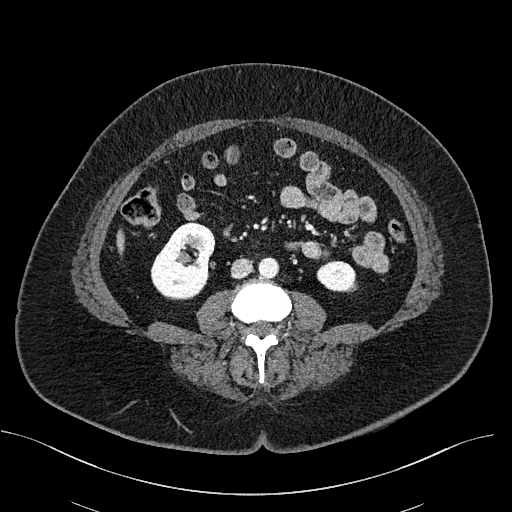
Abdominal CT with intravenous contrast, axial plane, 100 kVp, kernel I40f. Slice 257/470 from the bottom of the scan; thickness 2.00 mm; pixel size 0.824 mm.
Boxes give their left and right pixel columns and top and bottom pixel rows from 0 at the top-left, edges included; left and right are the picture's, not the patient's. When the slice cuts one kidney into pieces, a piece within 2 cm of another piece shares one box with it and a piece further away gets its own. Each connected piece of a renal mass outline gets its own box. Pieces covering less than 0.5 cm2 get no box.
Two boxes on this slice (two kidney boxes), listed by box centre from the image's left to its right. (1) Right kidney in the box with left 150, top 221, right 215, bottom 300 (outlined area 3,635 px, about 24.7 cm2). (2) Box with left 316, top 261, right 355, bottom 292: left kidney (outlined area 981 px, about 6.7 cm2). This slice carries no renal mass outline.